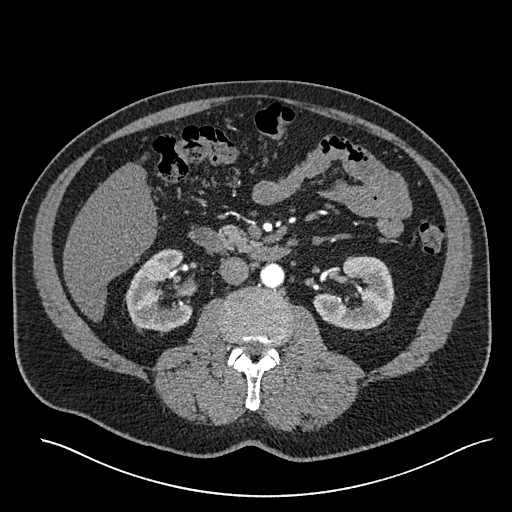
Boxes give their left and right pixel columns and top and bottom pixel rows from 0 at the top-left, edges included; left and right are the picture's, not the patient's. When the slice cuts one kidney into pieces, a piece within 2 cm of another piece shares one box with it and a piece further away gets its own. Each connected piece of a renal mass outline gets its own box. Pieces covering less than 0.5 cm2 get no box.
This is axial slice 306 of 527 (slice 1 is the lowest) of an arterial-phase abdominal CT with contrast; each pixel is 0.859 mm and the slice is 1.00 mm thick. Boxed on this slice (two kidney boxes), listed by box centre from the image's left to its right: (1) Right kidney in the box with left 125, top 248, right 192, bottom 331 (outlined area 3,942 px, about 29.1 cm2). (2) Left kidney, the box with left 313, top 256, right 395, bottom 330 (outlined area 4,111 px, about 30.4 cm2). No renal mass outline on this slice.
Tube voltage 120 kVp; convolution kernel I30f.